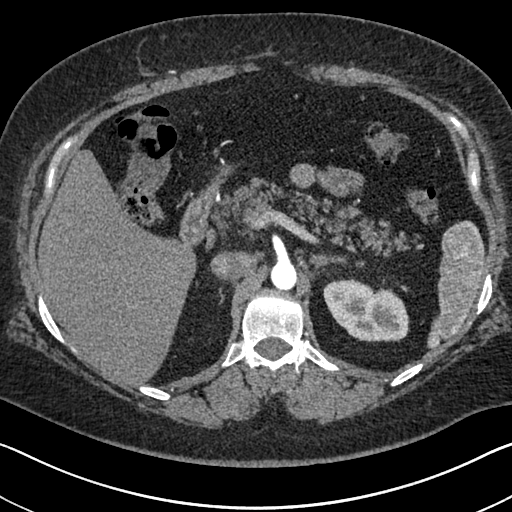
One axial slice (477 of 591, counting up from the lowest) of an arterial-phase abdominal CT acquired with 140 kVp, kernel I30f; each pixel is 0.703 mm and the slice is 1.00 mm thick.
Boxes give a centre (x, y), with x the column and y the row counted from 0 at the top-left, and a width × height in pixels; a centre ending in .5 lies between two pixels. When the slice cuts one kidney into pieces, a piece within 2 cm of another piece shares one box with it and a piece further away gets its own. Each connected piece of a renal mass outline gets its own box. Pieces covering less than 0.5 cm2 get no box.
Left kidney, box centre (366, 309.5), 87 × 64 pixels (outlined area 4,016 px, about 19.9 cm2). No renal mass is outlined on this slice.